One axial slice (57 of 143, counting up from the lowest) of a contrast-enhanced abdominal CT acquired with 100 kVp, kernel I41f; each pixel is 0.734 mm and the slice is 5.00 mm thick.
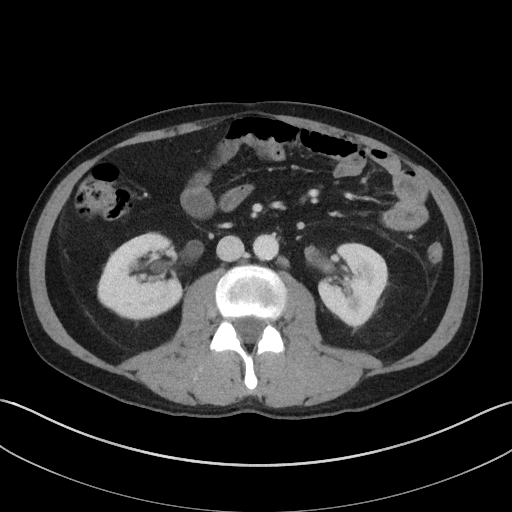
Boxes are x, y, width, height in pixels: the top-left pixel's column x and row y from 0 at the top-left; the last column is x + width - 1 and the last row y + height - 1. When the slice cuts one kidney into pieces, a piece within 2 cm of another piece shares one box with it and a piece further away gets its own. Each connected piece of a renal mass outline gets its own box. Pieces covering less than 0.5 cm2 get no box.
Two kidney boxes on this slice; by box centre, from the image's left to its right: (1) Right kidney, box x 97, y 232, width 88, height 90 (outlined area 5,759 px, about 31.1 cm2). (2) Box x 318, y 242, width 71, height 85: left kidney (outlined area 4,327 px, about 23.3 cm2). No renal mass is outlined on this slice.